Abdominal CT with intravenous contrast, arterial phase, axial plane, 120 kVp, kernel B31f. Slice 72/279 from the bottom of the scan; thickness 2.00 mm; pixel size 0.824 mm.
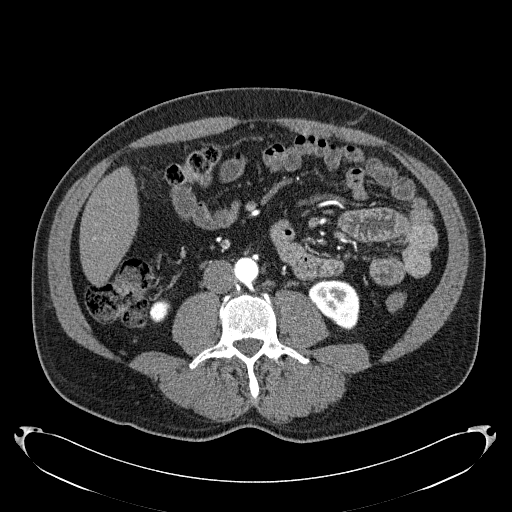
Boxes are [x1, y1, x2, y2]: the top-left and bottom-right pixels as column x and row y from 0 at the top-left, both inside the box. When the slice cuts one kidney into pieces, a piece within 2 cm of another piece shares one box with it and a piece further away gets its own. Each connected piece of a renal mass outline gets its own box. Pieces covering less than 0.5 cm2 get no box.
Two boxes on this slice (two kidney boxes), listed by box centre from the image's left to its right. (1) Box [149, 299, 170, 322]: right kidney (outlined area 381 px, about 2.6 cm2). (2) Box [308, 279, 359, 330]: left kidney (outlined area 1,881 px, about 12.8 cm2). This slice carries no renal mass outline.